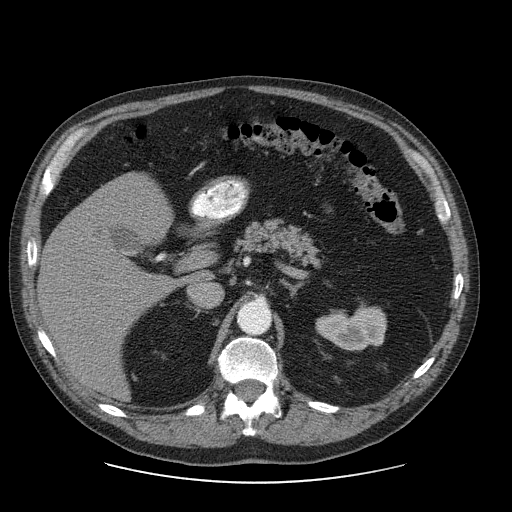
Abdominal CT with intravenous contrast, axial plane, 120 kVp, kernel STANDARD. Slice 59/103 from the bottom of the scan; thickness 2.50 mm; pixel size 0.820 mm.
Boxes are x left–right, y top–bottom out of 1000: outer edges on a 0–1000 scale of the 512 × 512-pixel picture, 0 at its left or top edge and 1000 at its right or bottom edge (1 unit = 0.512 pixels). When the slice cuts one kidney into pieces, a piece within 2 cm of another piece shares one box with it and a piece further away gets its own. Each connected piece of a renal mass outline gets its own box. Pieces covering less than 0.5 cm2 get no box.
Left kidney at x 615–758, y 598–686 out of 1000 (outlined area 2,383 px, about 16.0 cm2). No renal mass outline on this slice.